One axial slice (140 of 207, counting up from the lowest) of an arterial-phase abdominal CT acquired with 120 kVp, kernel FC18; each pixel is 0.741 mm and the slice is 2.00 mm thick.
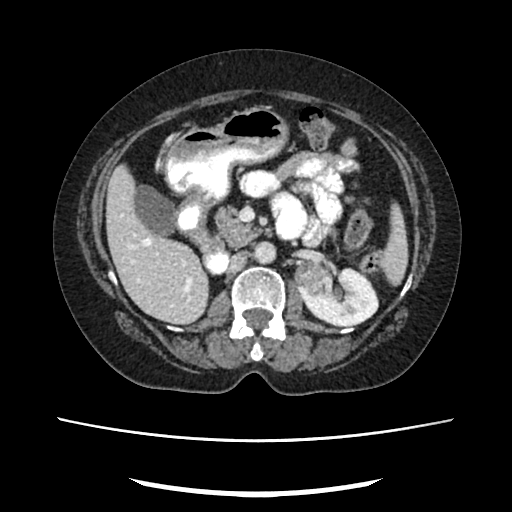
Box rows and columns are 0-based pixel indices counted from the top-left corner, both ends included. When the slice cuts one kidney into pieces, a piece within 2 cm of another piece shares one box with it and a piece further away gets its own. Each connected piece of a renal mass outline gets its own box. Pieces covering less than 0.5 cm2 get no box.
Two boxes on this slice (one kidney box and one renal mass box), listed by box centre from the image's left to its right. (1) Left renal mass, box rows 261–295, columns 294–323 (outlined area 769 px, about 4.2 cm2). (2) Left kidney, box rows 261–326, columns 296–378 (outlined area 3,352 px, about 18.4 cm2).